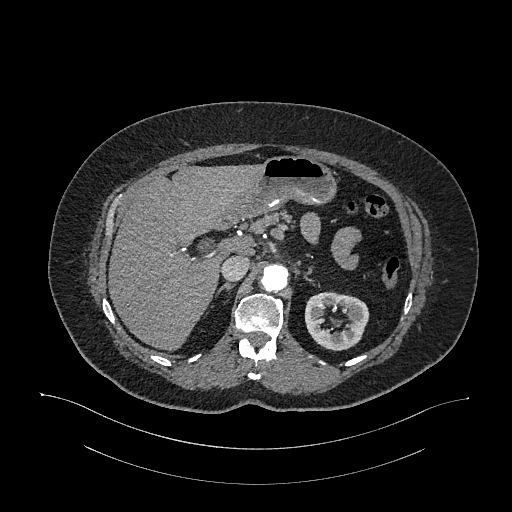
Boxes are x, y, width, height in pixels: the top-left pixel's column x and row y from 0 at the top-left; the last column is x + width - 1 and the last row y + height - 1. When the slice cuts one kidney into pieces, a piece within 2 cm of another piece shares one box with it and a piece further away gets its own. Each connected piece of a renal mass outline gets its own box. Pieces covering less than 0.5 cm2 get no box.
This is axial slice 747 of 987 (slice 1 is the lowest) of an arterial-phase abdominal CT with contrast; each pixel is 0.977 mm and the slice is 1.00 mm thick. Left kidney at x 304, y 291, width 66, height 60 (outlined area 2,733 px, about 26.1 cm2). This slice carries no renal mass outline.
Scan settings: 120 kVp, I26f reconstruction kernel.